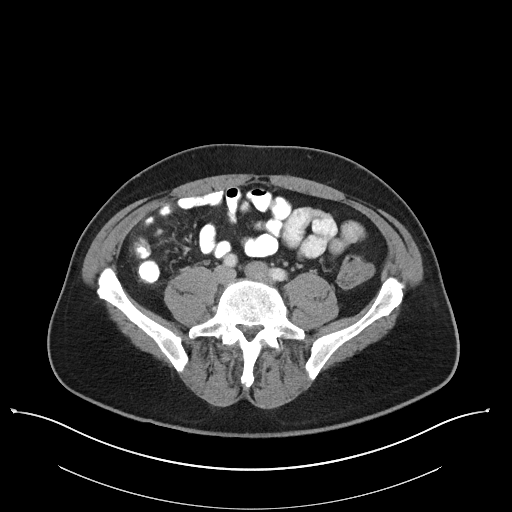
One axial slice (43 of 101, counting up from the lowest) of a contrast-enhanced abdominal CT acquired with 100 kVp, kernel I40f; each pixel is 0.879 mm and the slice is 5.00 mm thick.
Neither a kidney nor a renal mass is outlined here. Only kidneys and renal masses are outlined anywhere in this scan; other structures are never outlined.